One axial slice (134 of 261, counting up from the lowest) of an arterial-phase abdominal CT acquired with 120 kVp, kernel I30f; each pixel is 0.939 mm and the slice is 2.00 mm thick.
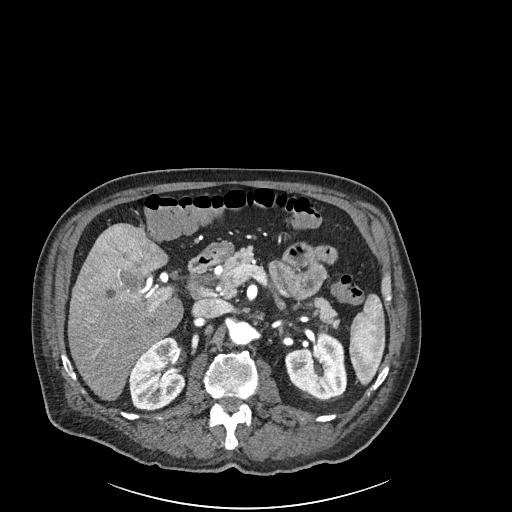
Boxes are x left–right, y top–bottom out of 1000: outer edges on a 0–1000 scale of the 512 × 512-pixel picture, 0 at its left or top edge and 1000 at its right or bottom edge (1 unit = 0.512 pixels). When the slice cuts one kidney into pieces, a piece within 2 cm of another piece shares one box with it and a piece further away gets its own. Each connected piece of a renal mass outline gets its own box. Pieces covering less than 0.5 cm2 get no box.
Two boxes on this slice (two kidney boxes), listed by box centre from the image's left to its right. (1) Right kidney at x 252–363, y 658–803 out of 1000 (outlined area 3,042 px, about 26.8 cm2). (2) Left kidney at x 557–680, y 650–779 out of 1000 (outlined area 3,047 px, about 26.9 cm2). No renal mass outline on this slice.